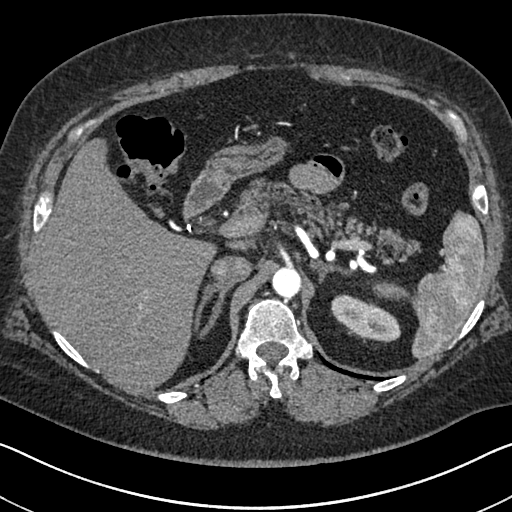
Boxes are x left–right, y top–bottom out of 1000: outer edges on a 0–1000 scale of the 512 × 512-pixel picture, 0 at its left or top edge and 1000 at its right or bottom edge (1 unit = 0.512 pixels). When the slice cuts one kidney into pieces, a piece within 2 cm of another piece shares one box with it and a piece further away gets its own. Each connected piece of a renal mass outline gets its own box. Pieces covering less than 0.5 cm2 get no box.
This is axial slice 497 of 591 (slice 1 is the lowest) of an arterial-phase abdominal CT with contrast; each pixel is 0.703 mm and the slice is 1.00 mm thick. Box x 646–783, y 574–670 out of 1000: left kidney (outlined area 2,184 px, about 10.8 cm2). This slice carries no renal mass outline.
Tube voltage 140 kVp; convolution kernel I30f.